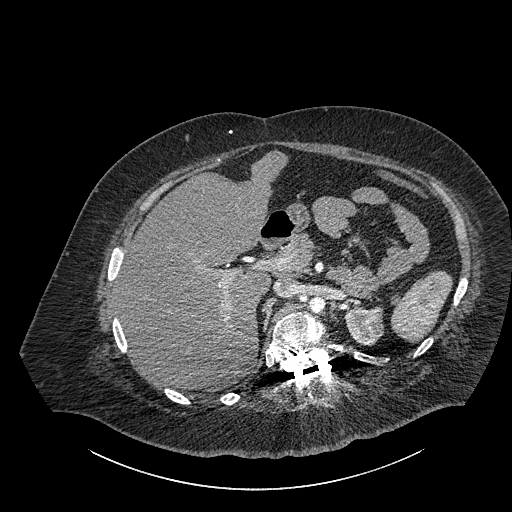
Axial slice 625 of 834 of a contrast-enhanced abdominal CT (slice 1 is the lowest), 140 kVp, kernel I30f; 1.00 mm slice thickness and 0.977 mm pixels.
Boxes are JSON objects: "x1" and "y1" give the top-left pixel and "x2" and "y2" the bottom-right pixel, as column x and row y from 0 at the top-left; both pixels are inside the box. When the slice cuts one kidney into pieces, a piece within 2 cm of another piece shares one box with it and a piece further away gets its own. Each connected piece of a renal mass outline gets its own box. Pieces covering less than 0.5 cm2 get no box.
Box {"x1": 344, "y1": 306, "x2": 383, "y2": 345}: left part of the midline-crossing kidney (outlined area 1,242 px, about 11.8 cm2). No renal mass outline on this slice.